Arterial-phase contrast-enhanced abdominal CT, axial slice 95 of 325 (counted from the lowest slice); tube voltage 100 kVp, convolution kernel I30f; slices 1.00 mm thick, 0.703 mm per pixel.
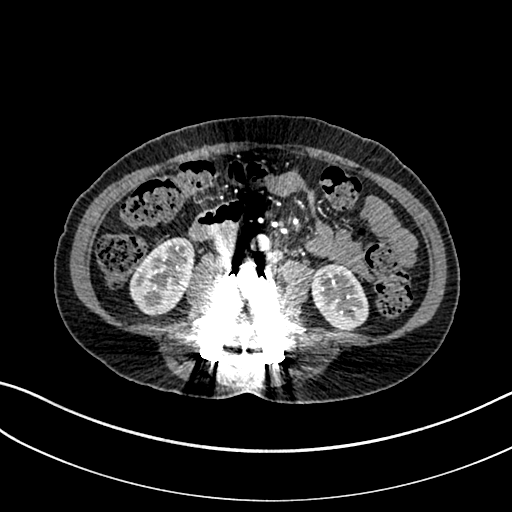
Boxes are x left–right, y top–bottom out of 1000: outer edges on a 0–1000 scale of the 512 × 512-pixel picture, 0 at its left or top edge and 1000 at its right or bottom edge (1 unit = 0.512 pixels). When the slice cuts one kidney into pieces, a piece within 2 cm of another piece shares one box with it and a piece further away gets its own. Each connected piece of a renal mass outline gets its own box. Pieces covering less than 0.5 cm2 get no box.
Two kidney boxes on this slice; by box centre, from the image's left to its right: (1) Right kidney, box x 252–381, y 463–619 out of 1000 (outlined area 3,726 px, about 18.4 cm2). (2) Box x 605–721, y 514–646 out of 1000: left kidney (outlined area 2,932 px, about 14.5 cm2). No renal mass outline on this slice.